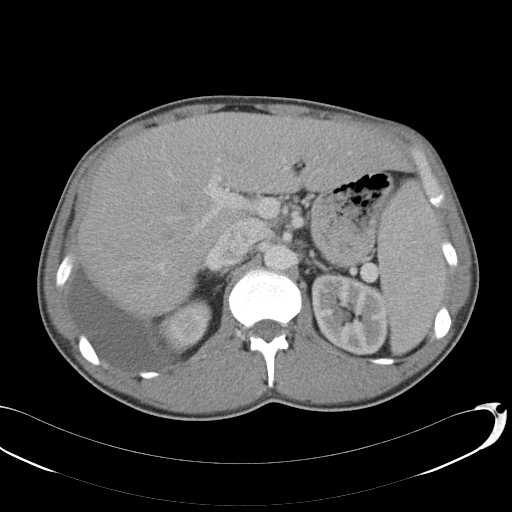
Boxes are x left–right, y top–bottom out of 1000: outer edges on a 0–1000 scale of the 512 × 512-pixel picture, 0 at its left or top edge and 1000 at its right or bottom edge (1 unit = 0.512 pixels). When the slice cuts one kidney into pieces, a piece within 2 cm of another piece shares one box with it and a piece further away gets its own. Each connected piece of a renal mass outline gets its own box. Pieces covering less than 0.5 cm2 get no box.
This is axial slice 74 of 146 (slice 1 is the lowest) of an abdominal CT with contrast; each pixel is 0.742 mm and the slice is 5.00 mm thick. Two kidney boxes on this slice; by box centre, from the image's left to its right: (1) Box x 307–414, y 582–693 out of 1000: right kidney (outlined area 2,061 px, about 11.4 cm2). (2) Left kidney, box x 607–758, y 531–697 out of 1000 (outlined area 5,025 px, about 27.7 cm2). This slice carries no renal mass outline.
Scan settings: 120 kVp, B31f reconstruction kernel.